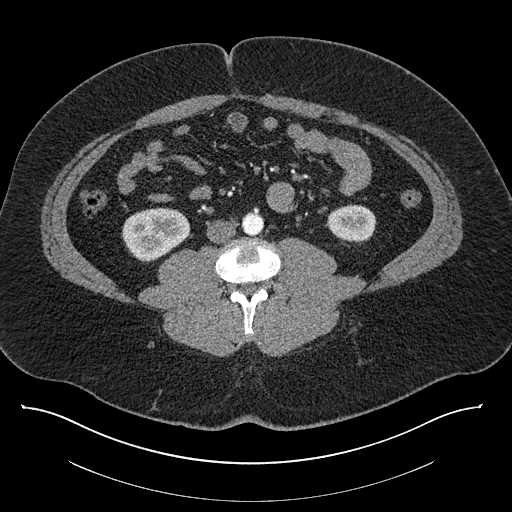
Axial slice 367 of 787 of a contrast-enhanced abdominal CT (slice 1 is the lowest), 140 kVp, kernel I30f; 1.00 mm slice thickness and 0.910 mm pixels.
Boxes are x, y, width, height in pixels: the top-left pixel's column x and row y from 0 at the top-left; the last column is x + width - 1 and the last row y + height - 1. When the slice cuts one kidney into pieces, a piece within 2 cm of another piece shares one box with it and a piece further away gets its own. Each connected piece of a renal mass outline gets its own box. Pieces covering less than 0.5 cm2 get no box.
Two boxes on this slice (two kidney boxes), listed by box centre from the image's left to its right. (1) Box x 121, y 207, width 69, height 55: right kidney (outlined area 2,754 px, about 22.8 cm2). (2) Left kidney at x 327, y 204, width 50, height 40 (outlined area 1,500 px, about 12.4 cm2). This slice carries no renal mass outline.